One axial slice (146 of 274, counting up from the lowest) of a contrast-enhanced abdominal CT acquired with 120 kVp, kernel B31f; each pixel is 0.977 mm and the slice is 2.00 mm thick.
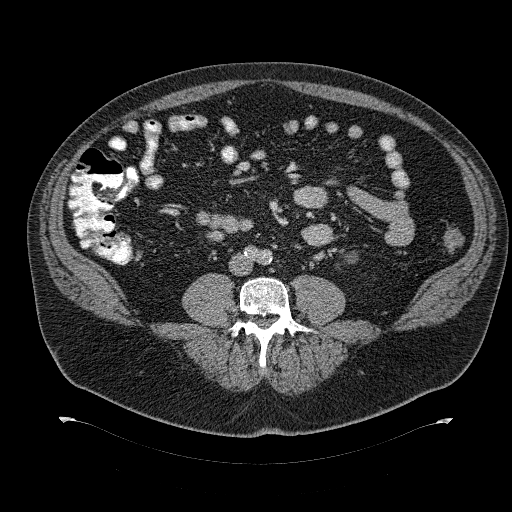
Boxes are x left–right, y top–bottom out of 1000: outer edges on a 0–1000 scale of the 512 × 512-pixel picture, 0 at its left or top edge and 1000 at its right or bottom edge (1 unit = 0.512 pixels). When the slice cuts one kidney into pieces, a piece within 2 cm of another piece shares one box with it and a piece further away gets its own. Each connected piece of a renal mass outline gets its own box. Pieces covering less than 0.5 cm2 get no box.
Box x 672–699, y 490–516 out of 1000: left kidney (outlined area 126 px, about 1.2 cm2). No renal mass is outlined on this slice.